Axial slice 324 of 683 of a contrast-enhanced abdominal CT in the arterial phase (slice 1 is the lowest), 120 kVp, kernel I30f; 1.00 mm slice thickness and 0.738 mm pixels.
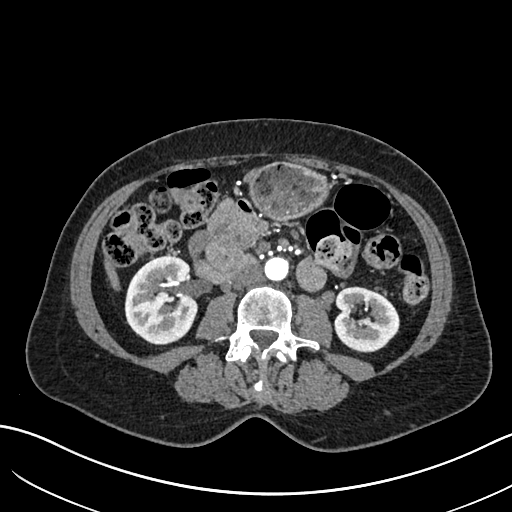
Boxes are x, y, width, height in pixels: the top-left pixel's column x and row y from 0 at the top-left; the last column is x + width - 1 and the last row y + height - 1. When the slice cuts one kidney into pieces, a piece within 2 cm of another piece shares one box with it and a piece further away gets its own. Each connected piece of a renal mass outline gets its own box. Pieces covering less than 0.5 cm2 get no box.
Boxed on this slice (two kidney boxes), listed by box centre from the image's left to its right: (1) Right kidney at x 124, y 257, width 75, height 88 (outlined area 5,165 px, about 28.2 cm2). (2) Left kidney, box x 334, y 286, width 66, height 67 (outlined area 3,347 px, about 18.2 cm2). No renal mass outline on this slice.